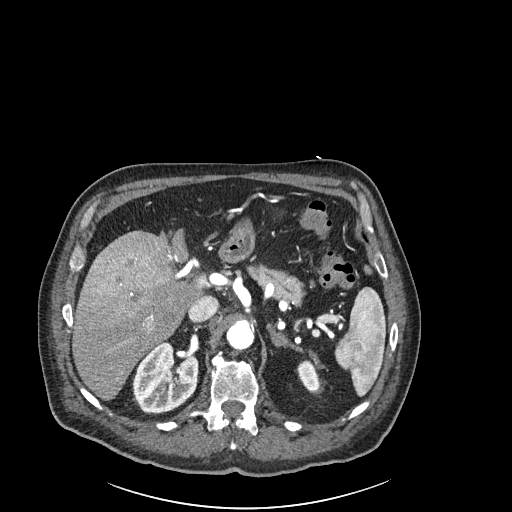
One axial slice (162 of 261, counting up from the lowest) of an arterial-phase abdominal CT acquired with 120 kVp, kernel I30f; each pixel is 0.939 mm and the slice is 2.00 mm thick.
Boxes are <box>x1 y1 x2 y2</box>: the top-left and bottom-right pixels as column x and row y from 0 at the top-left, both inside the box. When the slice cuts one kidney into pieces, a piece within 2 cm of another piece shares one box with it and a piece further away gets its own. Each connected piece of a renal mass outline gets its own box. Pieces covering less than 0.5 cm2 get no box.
Two boxes on this slice (two kidney boxes), listed by box centre from the image's left to its right. (1) Right kidney: <box>132 340 198 414</box> (outlined area 3,676 px, about 32.4 cm2). (2) At <box>297 361 320 391</box>: left kidney (outlined area 508 px, about 4.5 cm2). No renal mass is outlined on this slice.